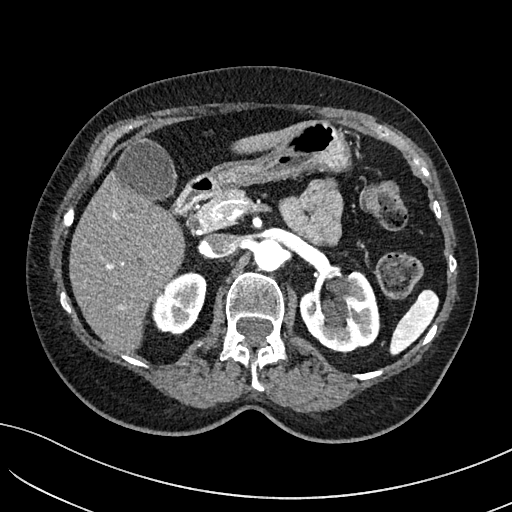
One axial slice (91 of 234, counting up from the lowest) of an arterial-phase abdominal CT acquired with 100 kVp, kernel I40f; each pixel is 0.699 mm and the slice is 2.00 mm thick.
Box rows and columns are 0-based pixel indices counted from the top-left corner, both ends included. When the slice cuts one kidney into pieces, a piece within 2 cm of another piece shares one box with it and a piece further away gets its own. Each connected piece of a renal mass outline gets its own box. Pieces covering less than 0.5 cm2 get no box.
Two boxes on this slice (two kidney boxes), listed by box centre from the image's left to its right. (1) Right kidney at rows 271–335, columns 152–206 (outlined area 2,539 px, about 12.4 cm2). (2) Box rows 270–351, columns 299–380: left kidney (outlined area 4,731 px, about 23.1 cm2). This slice carries no renal mass outline.